One axial slice (73 of 92, counting up from the lowest) of a contrast-enhanced abdominal CT acquired with 120 kVp, kernel B30f; each pixel is 0.918 mm and the slice is 5.00 mm thick.
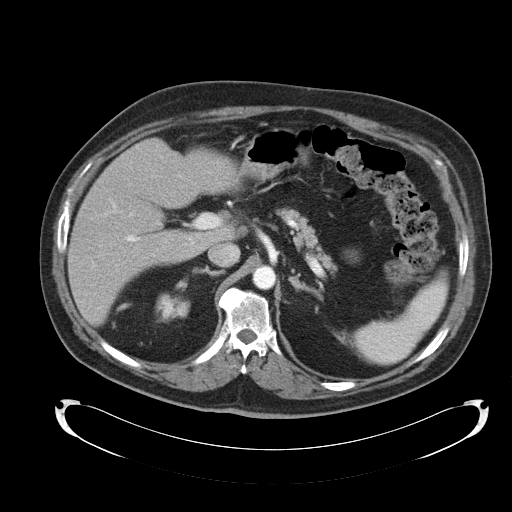
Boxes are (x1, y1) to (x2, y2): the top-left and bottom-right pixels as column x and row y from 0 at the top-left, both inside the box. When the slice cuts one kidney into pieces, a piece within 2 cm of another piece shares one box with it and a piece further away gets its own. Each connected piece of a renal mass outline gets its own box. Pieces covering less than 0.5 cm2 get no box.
Right kidney, box (155, 292) to (190, 322) (outlined area 845 px, about 7.1 cm2). No renal mass is outlined on this slice.